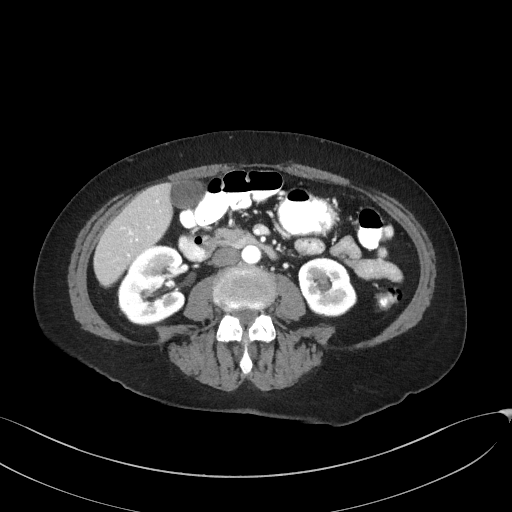
One axial slice (80 of 129, counting up from the lowest) of an arterial-phase abdominal CT acquired with 100 kVp, kernel I41f; each pixel is 0.779 mm and the slice is 3.00 mm thick.
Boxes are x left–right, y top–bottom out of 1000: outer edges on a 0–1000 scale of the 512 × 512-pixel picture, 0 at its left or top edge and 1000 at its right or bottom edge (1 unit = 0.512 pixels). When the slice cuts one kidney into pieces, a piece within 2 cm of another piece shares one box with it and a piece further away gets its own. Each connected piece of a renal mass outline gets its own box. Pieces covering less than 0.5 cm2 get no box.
Two kidney boxes on this slice; by box centre, from the image's left to its right: (1) Right kidney at x 229–365, y 479–637 out of 1000 (outlined area 4,171 px, about 25.3 cm2). (2) Left kidney at x 582–697, y 502–619 out of 1000 (outlined area 2,687 px, about 16.3 cm2). This slice carries no renal mass outline.